One axial slice (292 of 433, counting up from the lowest) of a contrast-enhanced abdominal CT acquired with 120 kVp, kernel B30f; each pixel is 0.672 mm and the slice is 1.00 mm thick.
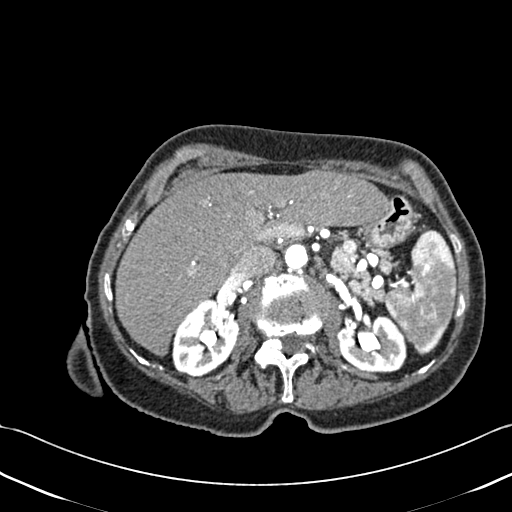
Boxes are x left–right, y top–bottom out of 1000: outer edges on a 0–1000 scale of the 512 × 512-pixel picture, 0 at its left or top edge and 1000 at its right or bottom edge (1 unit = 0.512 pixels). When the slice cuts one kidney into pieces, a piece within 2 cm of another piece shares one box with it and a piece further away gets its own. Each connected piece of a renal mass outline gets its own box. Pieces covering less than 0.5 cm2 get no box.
Boxed on this slice (two kidney boxes), listed by box centre from the image's left to its right: (1) Right kidney, box x 336–469, y 582–738 out of 1000 (outlined area 3,814 px, about 17.2 cm2). (2) Left kidney at x 656–795, y 613–730 out of 1000 (outlined area 3,166 px, about 14.3 cm2). This slice carries no renal mass outline.